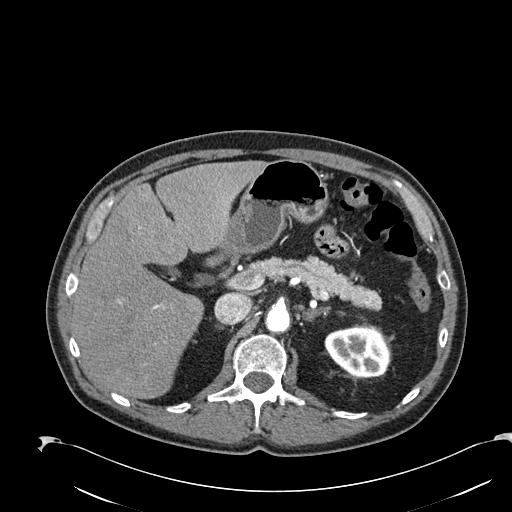
Abdominal CT with intravenous contrast, arterial phase, axial plane, 120 kVp, kernel B30f. Slice 156/274 from the bottom of the scan; thickness 2.00 mm; pixel size 0.809 mm.
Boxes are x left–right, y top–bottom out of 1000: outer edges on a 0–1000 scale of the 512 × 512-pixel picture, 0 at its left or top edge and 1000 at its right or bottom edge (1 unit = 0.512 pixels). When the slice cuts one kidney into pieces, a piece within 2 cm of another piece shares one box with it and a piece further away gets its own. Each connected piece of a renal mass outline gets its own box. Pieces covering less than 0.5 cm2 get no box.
Box x 633–762, y 637–738 out of 1000: left kidney (outlined area 2,670 px, about 17.5 cm2). This slice carries no renal mass outline.